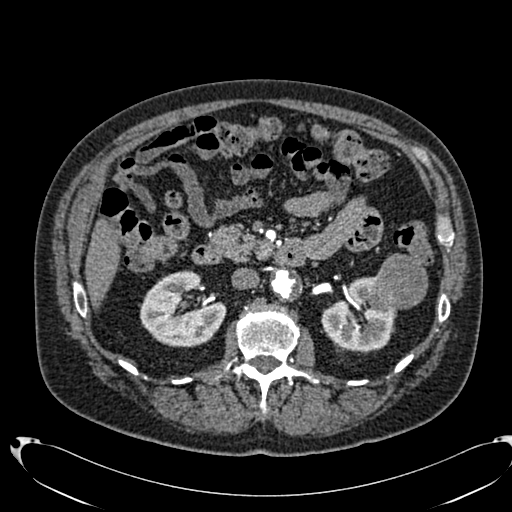
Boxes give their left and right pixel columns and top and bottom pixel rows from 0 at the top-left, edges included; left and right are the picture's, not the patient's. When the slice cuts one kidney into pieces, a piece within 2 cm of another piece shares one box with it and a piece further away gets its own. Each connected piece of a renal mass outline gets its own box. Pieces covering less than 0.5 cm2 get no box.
This is axial slice 423 of 553 (slice 1 is the lowest) of an arterial-phase abdominal CT with contrast; each pixel is 0.773 mm and the slice is 1.00 mm thick. Three boxes on this slice (two kidney boxes and one renal mass box), listed by box centre from the image's left to its right. (1) Right kidney, the box with left 140, top 271, right 226, bottom 347 (outlined area 4,690 px, about 28.1 cm2). (2) Left kidney, the box with left 321, top 276, right 396, bottom 351 (outlined area 3,632 px, about 21.7 cm2). (3) Left renal mass, the box with left 371, top 253, right 427, bottom 309 (outlined area 2,501 px, about 15.0 cm2).
Tube voltage 120 kVp; convolution kernel B20f.